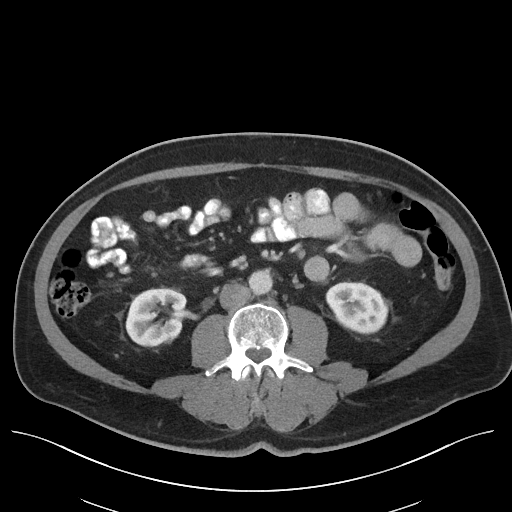
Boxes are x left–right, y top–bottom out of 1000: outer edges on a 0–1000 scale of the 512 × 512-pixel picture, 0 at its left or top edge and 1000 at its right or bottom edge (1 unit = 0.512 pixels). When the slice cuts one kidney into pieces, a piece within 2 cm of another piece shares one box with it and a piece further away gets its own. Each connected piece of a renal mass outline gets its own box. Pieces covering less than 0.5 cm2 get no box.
Slice 57/96 of a contrast-enhanced abdominal CT in the arterial phase, counting up from the lowest; pixel size 0.840 mm, slice thickness 5.00 mm. Two kidney boxes on this slice; by box centre, from the image's left to its right: (1) Box x 244–365, y 561–678 out of 1000: right kidney (outlined area 2,834 px, about 20.0 cm2). (2) Left kidney, box x 637–760, y 551–652 out of 1000 (outlined area 2,490 px, about 17.6 cm2). No renal mass is outlined on this slice.
Tube voltage 120 kVp; convolution kernel I40f.